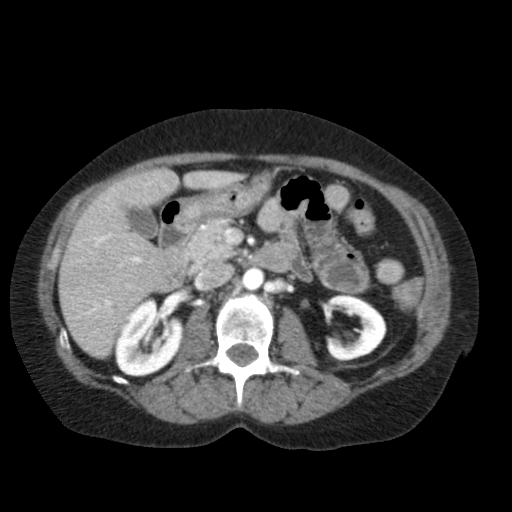
Axial slice 58 of 79 of a contrast-enhanced abdominal CT in the arterial phase (slice 1 is the lowest), 120 kVp, kernel FC11; 5.00 mm slice thickness and 0.686 mm pixels.
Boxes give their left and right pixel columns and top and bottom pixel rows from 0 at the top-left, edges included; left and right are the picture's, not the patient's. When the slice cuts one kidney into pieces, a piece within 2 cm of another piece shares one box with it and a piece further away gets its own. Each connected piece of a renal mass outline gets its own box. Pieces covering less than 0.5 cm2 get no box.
Two kidney boxes on this slice; by box centre, from the image's left to its right: (1) Right kidney in the box with left 113, top 298, right 183, bottom 376 (outlined area 3,928 px, about 18.5 cm2). (2) Box with left 325, top 293, right 386, bottom 362: left kidney (outlined area 2,832 px, about 13.3 cm2). No renal mass outline on this slice.